Axial slice 367 of 538 of a contrast-enhanced abdominal CT in the arterial phase (slice 1 is the lowest), 120 kVp, kernel B30f; 1.00 mm slice thickness and 0.811 mm pixels.
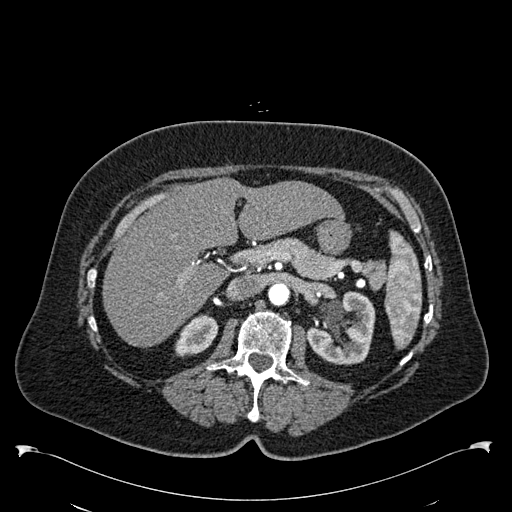
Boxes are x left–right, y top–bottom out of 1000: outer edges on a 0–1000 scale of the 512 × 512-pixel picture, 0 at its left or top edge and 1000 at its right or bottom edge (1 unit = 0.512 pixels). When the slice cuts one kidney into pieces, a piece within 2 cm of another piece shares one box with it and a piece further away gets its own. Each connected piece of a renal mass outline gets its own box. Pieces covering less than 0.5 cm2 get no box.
Two boxes on this slice (two kidney boxes), listed by box centre from the image's left to its right. (1) Right kidney, box x 340–428, y 613–699 out of 1000 (outlined area 1,282 px, about 8.4 cm2). (2) Box x 598–734, y 566–711 out of 1000: left kidney (outlined area 3,590 px, about 23.6 cm2). No renal mass outline on this slice.